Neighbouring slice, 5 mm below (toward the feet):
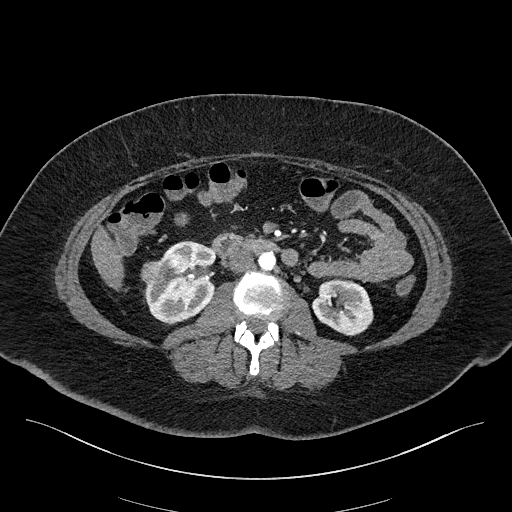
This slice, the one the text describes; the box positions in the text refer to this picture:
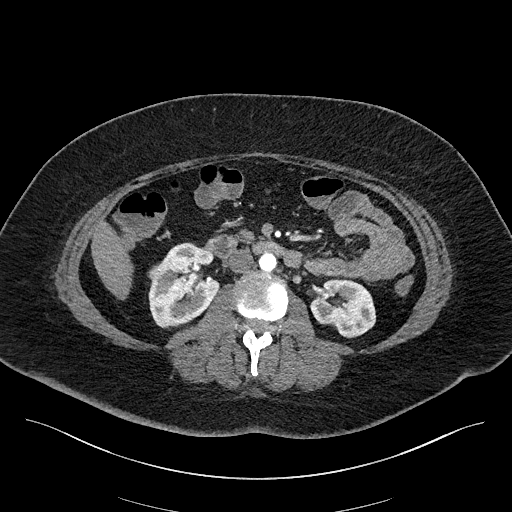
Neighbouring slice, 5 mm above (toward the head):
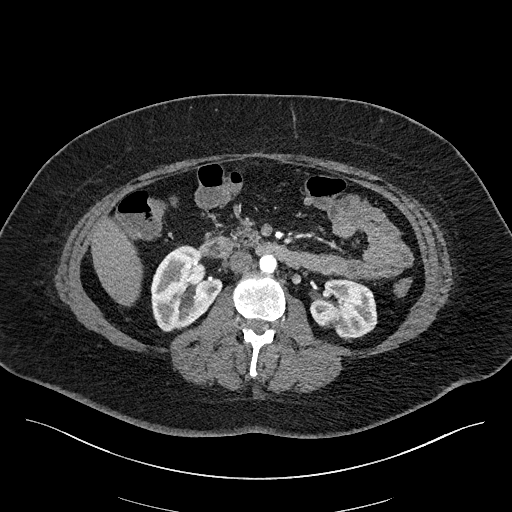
Axial slice 92 of 270 of a contrast-enhanced abdominal CT in the arterial phase (slice 1 is the lowest), 100 kVp, kernel I40f; 2.00 mm slice thickness and 0.855 mm pixels.
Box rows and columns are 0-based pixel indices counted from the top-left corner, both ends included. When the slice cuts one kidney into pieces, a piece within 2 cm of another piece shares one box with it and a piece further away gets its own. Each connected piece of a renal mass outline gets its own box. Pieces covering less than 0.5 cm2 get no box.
Two kidney boxes and one renal mass box on this slice; by box centre, from the image's left to its right: (1) Right renal mass, box rows 266–277, columns 148–162 (outlined area 132 px, about 1.0 cm2). (2) Box rows 242–328, columns 148–219: right kidney (outlined area 4,280 px, about 31.3 cm2). (3) Box rows 278–338, columns 309–376: left kidney (outlined area 2,877 px, about 21.1 cm2). This slice is near the end of the right renal mass toward the head, so the slices 5 mm below and 5 mm above it are shown as well; the boxes refer to this slice only.